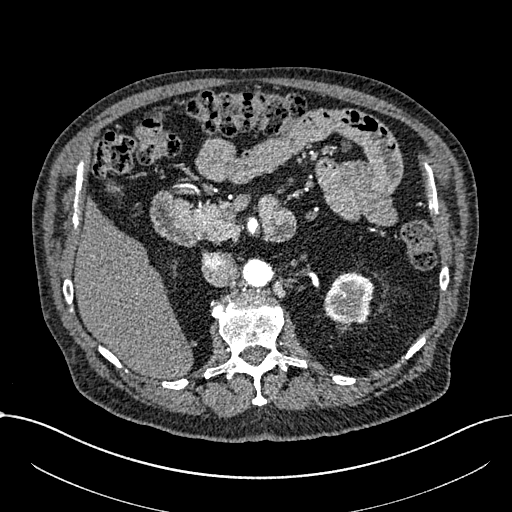
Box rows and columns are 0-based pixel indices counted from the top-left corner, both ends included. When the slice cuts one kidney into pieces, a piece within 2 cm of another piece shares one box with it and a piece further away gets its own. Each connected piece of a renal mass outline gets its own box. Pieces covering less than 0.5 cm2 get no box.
Slice 440/1059 of a contrast-enhanced abdominal CT in the arterial phase, counting up from the lowest; pixel size 0.811 mm, slice thickness 1.00 mm. Left part of the midline-crossing kidney at rows 272–325, columns 323–374 (outlined area 2,102 px, about 13.8 cm2). No renal mass outline on this slice.
Acquired at 100 kVp and reconstructed with the I30f kernel.